Arterial-phase contrast-enhanced abdominal CT, axial slice 24 of 53 (counted from the lowest slice); tube voltage 120 kVp, convolution kernel B30f; slices 3.00 mm thick, 0.547 mm per pixel.
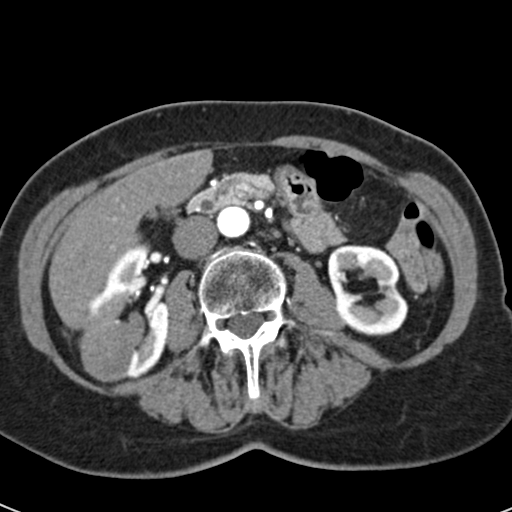
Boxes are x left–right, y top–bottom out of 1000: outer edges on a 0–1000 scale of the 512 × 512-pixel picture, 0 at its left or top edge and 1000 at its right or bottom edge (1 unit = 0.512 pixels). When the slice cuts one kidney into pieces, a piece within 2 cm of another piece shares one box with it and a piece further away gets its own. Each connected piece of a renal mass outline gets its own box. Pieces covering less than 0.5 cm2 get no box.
Three boxes on this slice (two kidney boxes and one renal mass box), listed by box centre from the image's left to its right. (1) Right renal mass, box x 154–305, y 564–748 out of 1000 (outlined area 4,498 px, about 13.5 cm2). (2) Right kidney, box x 160–330, y 479–742 out of 1000 (outlined area 3,837 px, about 11.5 cm2). (3) Box x 641–799, y 477–656 out of 1000: left kidney (outlined area 5,032 px, about 15.0 cm2).